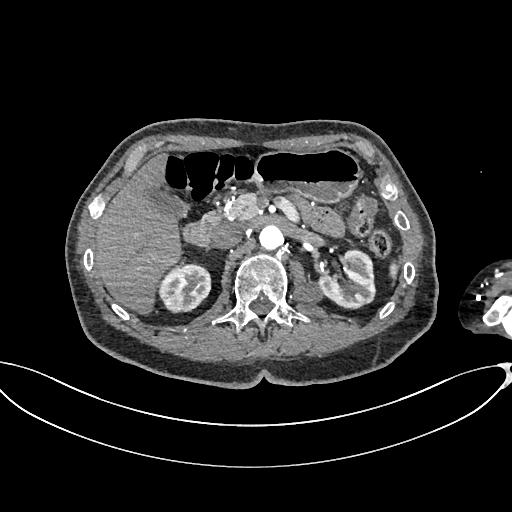
One axial slice (435 of 665, counting up from the lowest) of an arterial-phase abdominal CT acquired with 100 kVp, kernel I26f; each pixel is 0.828 mm and the slice is 1.00 mm thick.
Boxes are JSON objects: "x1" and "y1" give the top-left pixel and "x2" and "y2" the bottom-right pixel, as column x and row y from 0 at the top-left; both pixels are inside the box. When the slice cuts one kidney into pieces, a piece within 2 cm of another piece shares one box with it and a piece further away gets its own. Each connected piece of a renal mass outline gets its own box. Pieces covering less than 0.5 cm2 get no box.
Three boxes on this slice (two kidney boxes and one renal mass box), listed by box centre from the image's left to its right. (1) Right kidney, box {"x1": 158, "y1": 261, "x2": 211, "y2": 313} (outlined area 2,079 px, about 14.3 cm2). (2) Box {"x1": 292, "y1": 281, "x2": 323, "y2": 304}: left renal mass (outlined area 568 px, about 3.9 cm2). (3) Left kidney, box {"x1": 318, "y1": 250, "x2": 374, "y2": 308} (outlined area 2,314 px, about 15.9 cm2).